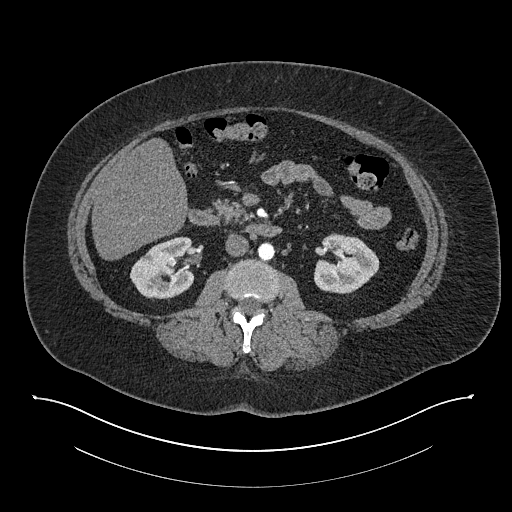
Arterial-phase contrast-enhanced abdominal CT, axial slice 432 of 673 (counted from the lowest slice); tube voltage 140 kVp, convolution kernel I30f; slices 1.00 mm thick, 0.957 mm per pixel.
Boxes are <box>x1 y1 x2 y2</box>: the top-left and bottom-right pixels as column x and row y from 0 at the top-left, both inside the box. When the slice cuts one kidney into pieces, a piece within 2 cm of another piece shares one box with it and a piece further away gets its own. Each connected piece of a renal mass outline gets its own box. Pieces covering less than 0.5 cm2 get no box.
Two kidney boxes on this slice; by box centre, from the image's left to its right: (1) Right kidney at <box>130 236 194 299</box> (outlined area 3,046 px, about 27.9 cm2). (2) Left kidney at <box>314 233 379 293</box> (outlined area 2,955 px, about 27.1 cm2). This slice carries no renal mass outline.